Abdominal CT with intravenous contrast, axial plane, 120 kVp, kernel STANDARD. Slice 21/76 from the bottom of the scan; thickness 2.50 mm; pixel size 0.586 mm.
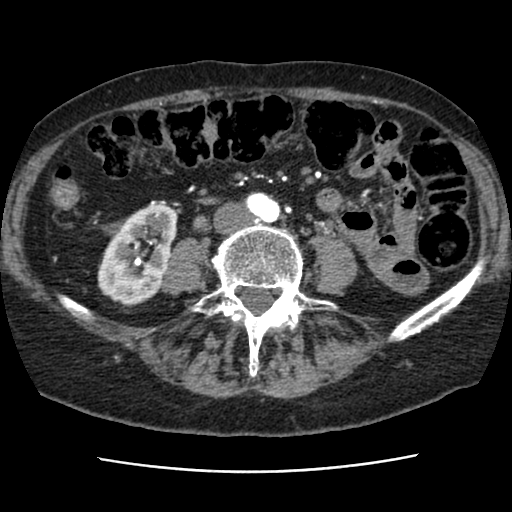
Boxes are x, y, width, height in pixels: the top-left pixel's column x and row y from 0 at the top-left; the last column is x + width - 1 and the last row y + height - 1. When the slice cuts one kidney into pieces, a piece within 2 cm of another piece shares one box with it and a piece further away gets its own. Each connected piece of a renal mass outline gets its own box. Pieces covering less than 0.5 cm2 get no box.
Box x 97, y 204, width 81, height 103: right kidney (outlined area 5,628 px, about 19.3 cm2). No renal mass outline on this slice.